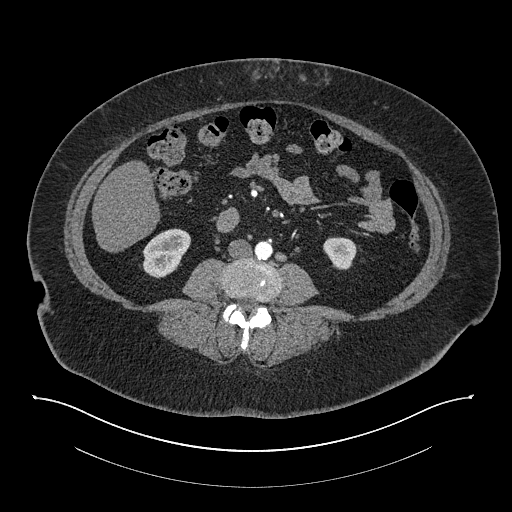
Abdominal CT with intravenous contrast, arterial phase, axial plane, 140 kVp, kernel I30f. Slice 357/673 from the bottom of the scan; thickness 1.00 mm; pixel size 0.957 mm.
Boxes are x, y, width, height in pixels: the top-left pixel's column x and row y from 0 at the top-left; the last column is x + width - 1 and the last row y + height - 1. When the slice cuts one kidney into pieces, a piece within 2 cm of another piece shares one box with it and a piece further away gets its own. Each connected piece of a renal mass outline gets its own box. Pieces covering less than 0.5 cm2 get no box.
Two kidney boxes on this slice; by box centre, from the image's left to its right: (1) Right kidney at x 142, y 228, width 50, height 51 (outlined area 1,730 px, about 15.8 cm2). (2) Left kidney at x 323, y 237, width 34, height 33 (outlined area 854 px, about 7.8 cm2). This slice carries no renal mass outline.